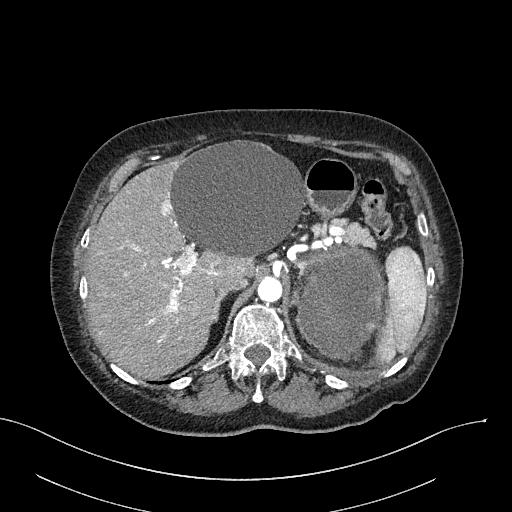
Arterial-phase contrast-enhanced abdominal CT, axial slice 201 of 316 (counted from the lowest slice); tube voltage 100 kVp, convolution kernel I40f; slices 2.00 mm thick, 0.840 mm per pixel.
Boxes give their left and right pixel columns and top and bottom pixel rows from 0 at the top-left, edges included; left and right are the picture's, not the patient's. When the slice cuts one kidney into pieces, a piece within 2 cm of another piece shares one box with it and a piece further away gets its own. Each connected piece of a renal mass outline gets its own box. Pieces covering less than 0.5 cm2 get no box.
Left renal mass in the box with left 297, top 248, right 383, bottom 361 (outlined area 7,730 px, about 54.5 cm2); no kidney is outlined on this slice, but the same outlined renal mass comes within 1 cm of the kidney on another slice.